Axial slice 268 of 439 of a contrast-enhanced abdominal CT (slice 1 is the lowest), 100 kVp, kernel I40f; 2.00 mm slice thickness and 0.850 mm pixels.
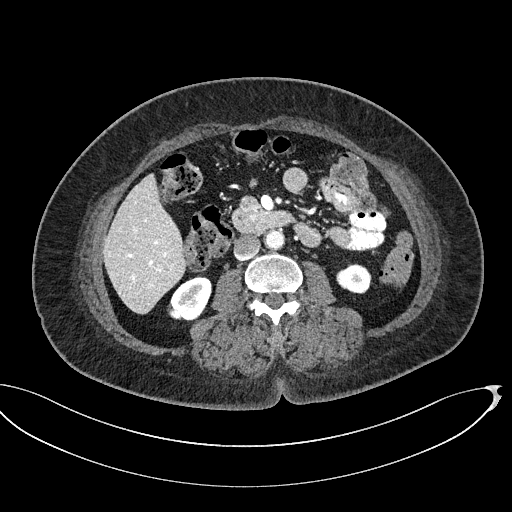
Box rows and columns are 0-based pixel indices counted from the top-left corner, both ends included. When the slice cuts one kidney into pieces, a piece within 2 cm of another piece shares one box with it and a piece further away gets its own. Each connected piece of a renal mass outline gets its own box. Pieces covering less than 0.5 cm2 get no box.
Boxed on this slice (two kidney boxes), listed by box centre from the image's left to its right: (1) Right kidney at rows 275–321, columns 167–211 (outlined area 1,445 px, about 10.4 cm2). (2) Box rows 263–293, columns 336–371: left kidney (outlined area 831 px, about 6.0 cm2). No renal mass outline on this slice.